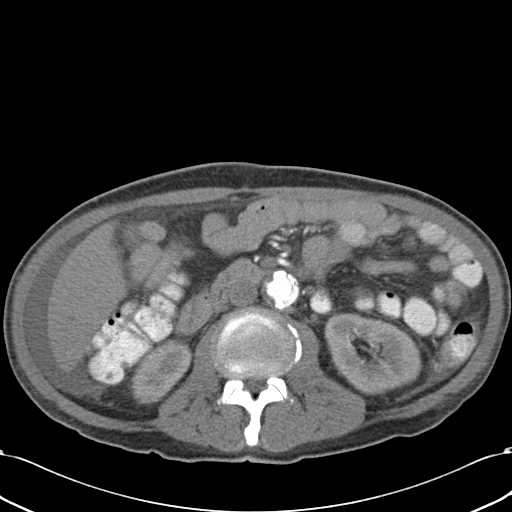
Abdominal CT with intravenous contrast, axial plane, 120 kVp, kernel B31f. Slice 9/43 from the bottom of the scan; thickness 5.00 mm; pixel size 0.701 mm.
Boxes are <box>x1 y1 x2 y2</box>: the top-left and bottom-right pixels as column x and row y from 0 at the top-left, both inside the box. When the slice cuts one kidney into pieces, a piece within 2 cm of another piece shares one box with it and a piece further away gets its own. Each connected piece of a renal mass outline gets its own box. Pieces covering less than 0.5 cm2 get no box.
Two boxes on this slice (two kidney boxes), listed by box centre from the image's left to its right. (1) Right kidney: <box>131 339 192 403</box> (outlined area 2,614 px, about 12.9 cm2). (2) Left kidney at <box>324 312 422 395</box> (outlined area 5,881 px, about 28.9 cm2). No renal mass outline on this slice.